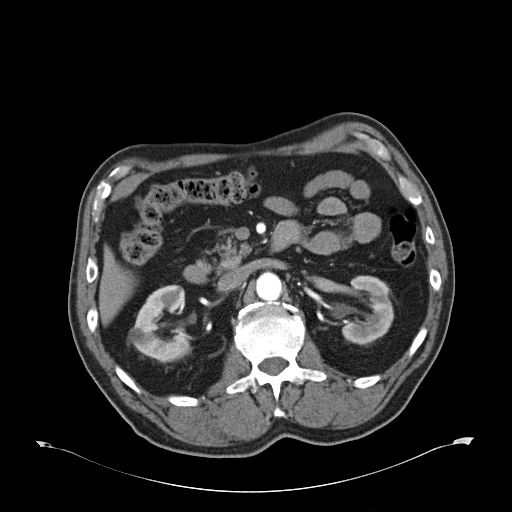
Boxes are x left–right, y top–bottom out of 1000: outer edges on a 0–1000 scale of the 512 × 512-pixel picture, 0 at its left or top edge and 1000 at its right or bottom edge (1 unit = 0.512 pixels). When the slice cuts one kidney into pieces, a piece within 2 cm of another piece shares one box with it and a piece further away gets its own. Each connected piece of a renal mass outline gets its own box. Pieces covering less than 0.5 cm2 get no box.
This is axial slice 33 of 59 (slice 1 is the lowest) of an arterial-phase abdominal CT with contrast; each pixel is 0.871 mm and the slice is 5.00 mm thick. Two kidney boxes on this slice; by box centre, from the image's left to its right: (1) Right kidney, box x 250–377, y 555–711 out of 1000 (outlined area 3,301 px, about 25.0 cm2). (2) Left kidney at x 666–771, y 537–672 out of 1000 (outlined area 2,571 px, about 19.5 cm2). This slice carries no renal mass outline.
Tube voltage 120 kVp; convolution kernel B30f.